Abdominal CT with intravenous contrast, arterial phase, axial plane, 120 kVp, kernel I30f. Slice 386/541 from the bottom of the scan; thickness 1.00 mm; pixel size 0.834 mm.
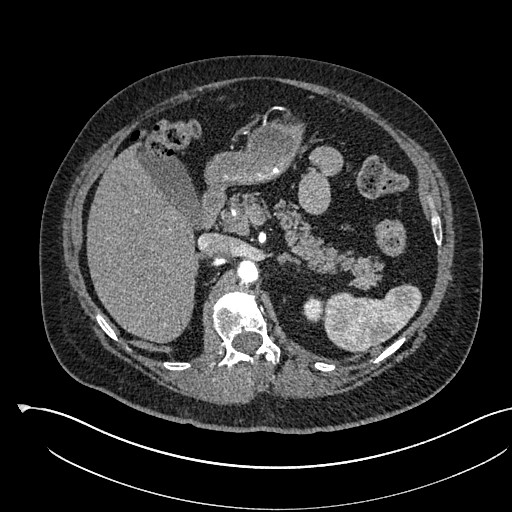
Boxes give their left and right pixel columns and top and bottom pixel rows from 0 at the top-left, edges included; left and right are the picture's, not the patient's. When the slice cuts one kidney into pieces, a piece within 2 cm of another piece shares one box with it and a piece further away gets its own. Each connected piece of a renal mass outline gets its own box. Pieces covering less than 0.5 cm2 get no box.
Left kidney in the box with left 302, top 295, right 323, bottom 322 (outlined area 446 px, about 3.1 cm2). No renal mass is outlined on this slice.